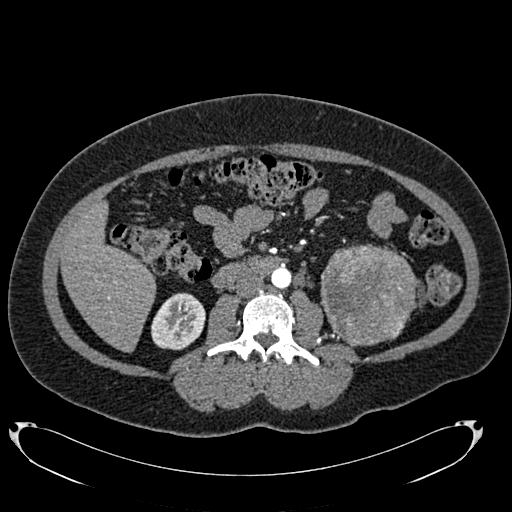
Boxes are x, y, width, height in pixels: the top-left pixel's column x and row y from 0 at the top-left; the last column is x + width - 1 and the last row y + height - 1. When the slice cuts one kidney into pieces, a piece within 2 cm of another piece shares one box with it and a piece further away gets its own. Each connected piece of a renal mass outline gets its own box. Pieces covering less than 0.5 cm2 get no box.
This is axial slice 367 of 634 (slice 1 is the lowest) of an arterial-phase abdominal CT with contrast; each pixel is 0.838 mm and the slice is 1.00 mm thick. Two boxes on this slice (one kidney box and one renal mass box), listed by box centre from the image's left to its right. (1) Right kidney, box x 151, y 292, width 55, height 59 (outlined area 2,406 px, about 16.9 cm2). (2) Left renal mass, box x 320, y 244, width 97, height 103 (outlined area 7,868 px, about 55.2 cm2); on this slice it lies more than 1 cm from any kidney outline, but the same outlined renal mass comes within 1 cm of the kidney on another slice.
Tube voltage 120 kVp; convolution kernel B20f.